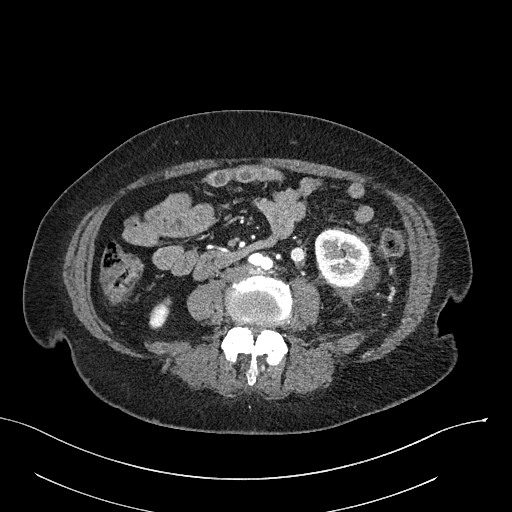
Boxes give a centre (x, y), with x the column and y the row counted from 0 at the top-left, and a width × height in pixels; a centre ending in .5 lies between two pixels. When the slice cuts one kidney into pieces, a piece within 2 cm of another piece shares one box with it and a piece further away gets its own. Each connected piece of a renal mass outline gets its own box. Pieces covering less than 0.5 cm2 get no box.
This is axial slice 84 of 316 (slice 1 is the lowest) of an arterial-phase abdominal CT with contrast; each pixel is 0.840 mm and the slice is 2.00 mm thick. Two kidney boxes on this slice; by box centre, from the image's left to its right: (1) Right kidney, box centre (160, 312), 23 × 31 pixels (outlined area 454 px, about 3.2 cm2). (2) Box centre (346, 258.5), 63 × 60 pixels: left kidney (outlined area 2,812 px, about 19.8 cm2). This slice carries no renal mass outline.
Tube voltage 100 kVp; convolution kernel I40f.